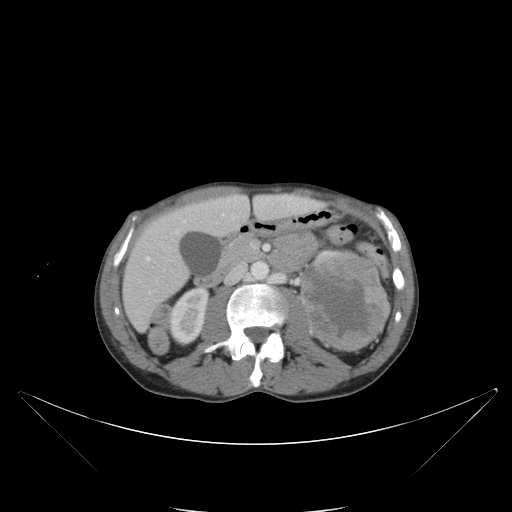
Contrast-enhanced abdominal CT, axial slice 57 of 88 (counted from the lowest slice); tube voltage 120 kVp, convolution kernel B; slices 5.00 mm thick, 0.865 mm per pixel.
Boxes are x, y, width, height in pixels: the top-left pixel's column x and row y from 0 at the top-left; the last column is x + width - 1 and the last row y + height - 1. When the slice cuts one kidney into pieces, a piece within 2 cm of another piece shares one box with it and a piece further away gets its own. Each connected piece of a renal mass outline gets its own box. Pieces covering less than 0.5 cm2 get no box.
One kidney box and one renal mass box on this slice; by box centre, from the image's left to its right: (1) Right kidney, box x 169, y 288, width 40, height 59 (outlined area 1,668 px, about 12.5 cm2). (2) Left renal mass at x 301, y 249, width 92, height 103 (outlined area 7,167 px, about 53.7 cm2); here it is more than 1 cm from any kidney outline, though on another slice the same outlined renal mass lies within 1 cm of the kidney.